One axial slice (247 of 548, counting up from the lowest) of an arterial-phase abdominal CT acquired with 120 kVp, kernel I26f; each pixel is 0.852 mm and the slice is 1.00 mm thick.
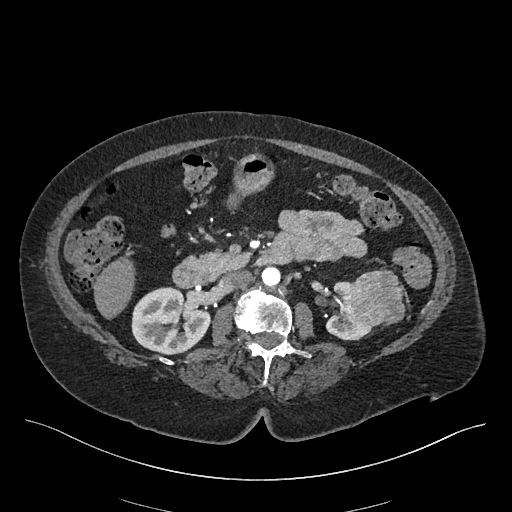
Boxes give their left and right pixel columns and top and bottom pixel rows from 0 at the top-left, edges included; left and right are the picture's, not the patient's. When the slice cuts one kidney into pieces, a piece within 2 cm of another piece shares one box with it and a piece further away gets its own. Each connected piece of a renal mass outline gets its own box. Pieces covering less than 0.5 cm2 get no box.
Three boxes on this slice (two kidney boxes and one renal mass box), listed by box centre from the image's left to its right. (1) Right kidney, the box with left 131, top 287, right 210, bottom 355 (outlined area 4,094 px, about 29.7 cm2). (2) Left kidney in the box with left 325, top 281, right 372, bottom 340 (outlined area 1,200 px, about 8.7 cm2). (3) Left renal mass in the box with left 339, top 268, right 405, bottom 326 (outlined area 2,902 px, about 21.0 cm2).